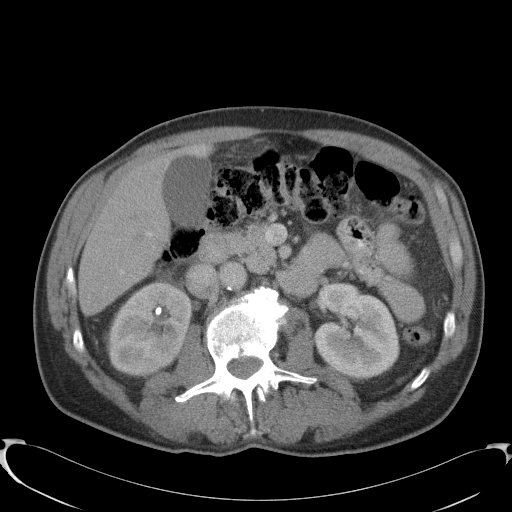
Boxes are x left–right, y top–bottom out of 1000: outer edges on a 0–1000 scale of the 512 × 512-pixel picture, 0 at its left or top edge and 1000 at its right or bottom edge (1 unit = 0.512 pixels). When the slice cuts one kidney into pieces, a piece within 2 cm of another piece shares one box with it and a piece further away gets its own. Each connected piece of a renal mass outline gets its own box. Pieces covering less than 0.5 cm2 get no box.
This is axial slice 62 of 91 (slice 1 is the lowest) of an abdominal CT with contrast; each pixel is 0.762 mm and the slice is 5.00 mm thick. Two boxes on this slice (two kidney boxes), listed by box centre from the image's left to its right. (1) Right kidney at x 209–375, y 551–738 out of 1000 (outlined area 6,133 px, about 35.6 cm2). (2) Left kidney, box x 611–781, y 551–742 out of 1000 (outlined area 6,444 px, about 37.4 cm2). This slice carries no renal mass outline.
Tube voltage 120 kVp; convolution kernel B41f.